Arterial-phase contrast-enhanced abdominal CT, axial slice 266 of 548 (counted from the lowest slice); tube voltage 120 kVp, convolution kernel I26f; slices 1.00 mm thick, 0.852 mm per pixel.
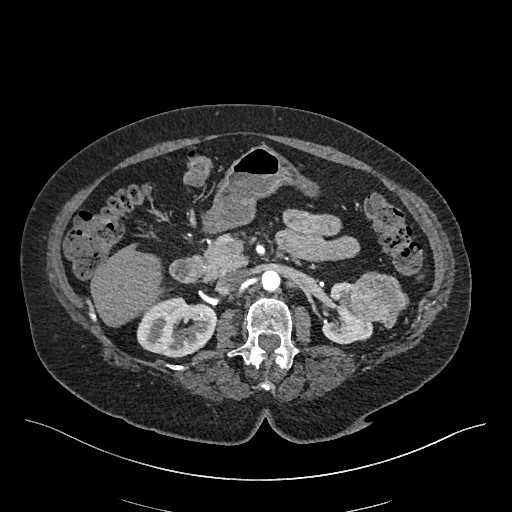
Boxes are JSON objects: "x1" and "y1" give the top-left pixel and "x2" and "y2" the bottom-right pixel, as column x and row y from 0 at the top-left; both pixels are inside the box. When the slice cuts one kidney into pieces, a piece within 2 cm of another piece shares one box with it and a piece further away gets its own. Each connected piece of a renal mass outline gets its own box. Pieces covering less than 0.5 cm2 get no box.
Boxed on this slice (two kidney boxes and one renal mass box), listed by box centre from the image's left to its right: (1) Right kidney at {"x1": 136, "y1": 296, "x2": 216, "y2": 357} (outlined area 3,665 px, about 26.6 cm2). (2) Left kidney, box {"x1": 322, "y1": 281, "x2": 373, "y2": 344} (outlined area 1,895 px, about 13.7 cm2). (3) Box {"x1": 348, "y1": 271, "x2": 409, "y2": 328}: left renal mass (outlined area 2,424 px, about 17.6 cm2).